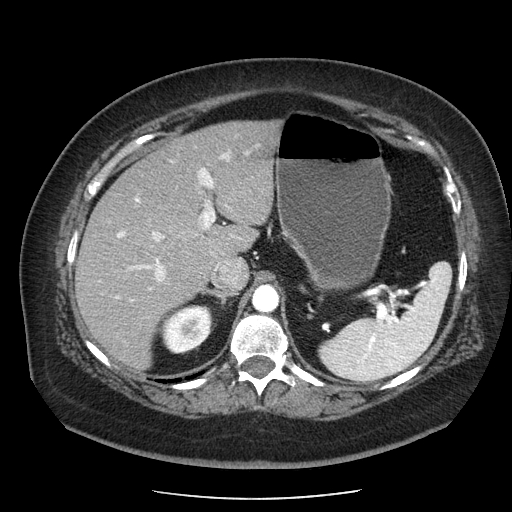
Abdominal CT with intravenous contrast, arterial phase, axial plane, 120 kVp, kernel STANDARD. Slice 147/186 from the bottom of the scan; thickness 2.50 mm; pixel size 0.742 mm.
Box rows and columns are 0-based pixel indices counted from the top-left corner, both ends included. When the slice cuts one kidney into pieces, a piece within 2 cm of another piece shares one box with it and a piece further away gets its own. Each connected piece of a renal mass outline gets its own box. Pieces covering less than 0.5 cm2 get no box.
Right kidney at rows 305–354, columns 159–213 (outlined area 2,011 px, about 11.1 cm2). This slice carries no renal mass outline.